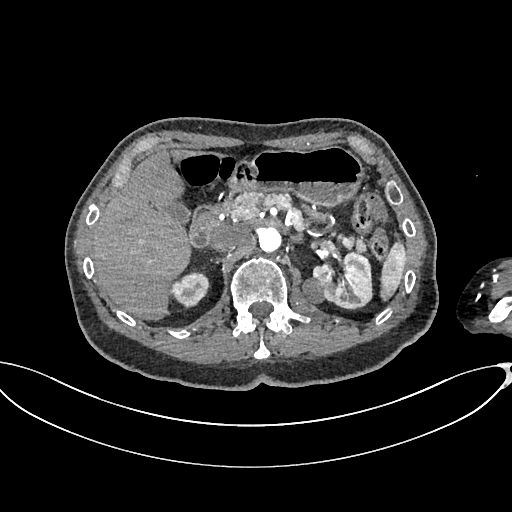
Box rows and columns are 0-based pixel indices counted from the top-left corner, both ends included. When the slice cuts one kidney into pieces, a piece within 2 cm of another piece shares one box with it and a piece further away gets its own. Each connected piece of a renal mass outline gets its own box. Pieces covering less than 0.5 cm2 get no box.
Arterial-phase contrast-enhanced abdominal CT, axial slice 449 of 665 (counted from the lowest slice); 1.00 mm thick, 0.828 mm per pixel. Boxed on this slice (two kidney boxes and one renal mass box), listed by box centre from the image's left to its right: (1) Right kidney at rows 271–308, columns 172–210 (outlined area 998 px, about 6.8 cm2). (2) Box rows 277–303, columns 301–324: left renal mass (outlined area 449 px, about 3.1 cm2). (3) Box rows 251–308, columns 312–372: left kidney (outlined area 2,472 px, about 17.0 cm2).
Tube voltage 100 kVp; convolution kernel I26f.